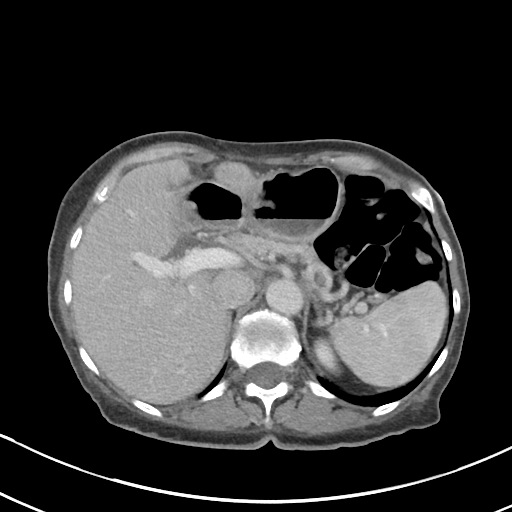
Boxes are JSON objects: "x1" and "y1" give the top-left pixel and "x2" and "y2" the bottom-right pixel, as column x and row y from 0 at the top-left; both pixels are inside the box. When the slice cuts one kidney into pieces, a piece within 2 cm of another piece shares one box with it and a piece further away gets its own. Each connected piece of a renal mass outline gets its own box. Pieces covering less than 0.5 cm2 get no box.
Arterial-phase contrast-enhanced abdominal CT, axial slice 69 of 80 (counted from the lowest slice); 5.00 mm thick, 0.648 mm per pixel. Left kidney, box {"x1": 315, "y1": 339, "x2": 339, "y2": 372} (outlined area 483 px, about 2.0 cm2). No renal mass is outlined on this slice.
Tube voltage 100 kVp; convolution kernel I40f.